Arterial-phase contrast-enhanced abdominal CT, axial slice 354 of 683 (counted from the lowest slice); tube voltage 120 kVp, convolution kernel I30f; slices 1.00 mm thick, 0.738 mm per pixel.
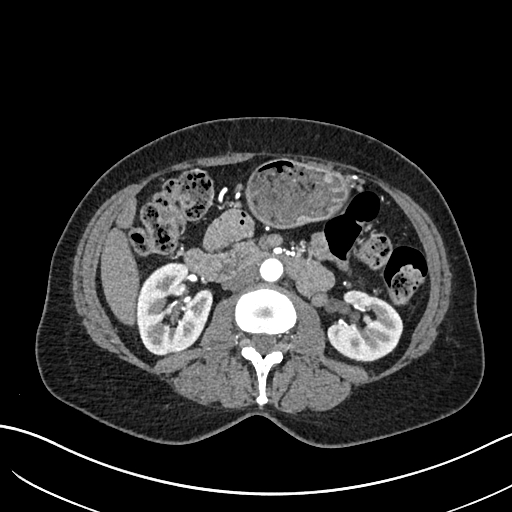
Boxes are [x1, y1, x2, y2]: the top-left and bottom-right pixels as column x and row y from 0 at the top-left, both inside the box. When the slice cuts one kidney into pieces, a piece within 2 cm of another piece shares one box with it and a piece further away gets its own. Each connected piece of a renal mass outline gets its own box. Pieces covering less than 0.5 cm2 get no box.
Two boxes on this slice (two kidney boxes), listed by box centre from the image's left to its right. (1) Box [135, 262, 212, 355]: right kidney (outlined area 5,305 px, about 28.9 cm2). (2) Box [327, 290, 403, 361]: left kidney (outlined area 3,792 px, about 20.7 cm2). No renal mass outline on this slice.